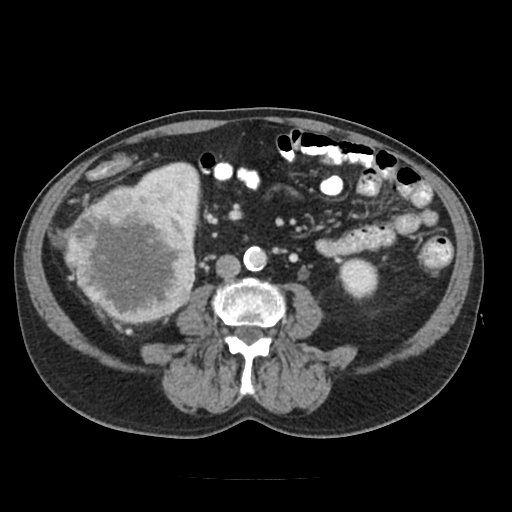
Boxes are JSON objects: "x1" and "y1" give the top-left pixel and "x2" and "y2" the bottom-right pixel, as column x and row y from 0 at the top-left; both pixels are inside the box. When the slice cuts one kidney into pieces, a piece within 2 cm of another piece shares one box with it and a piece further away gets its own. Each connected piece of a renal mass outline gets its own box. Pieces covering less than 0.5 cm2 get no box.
This is axial slice 51 of 91 (slice 1 is the lowest) of an abdominal CT with contrast; each pixel is 0.766 mm and the slice is 5.00 mm thick. Three boxes on this slice (two kidney boxes and one renal mass box), listed by box centre from the image's left to its right. (1) Box {"x1": 64, "y1": 186, "x2": 194, "y2": 321}: right renal mass (outlined area 12,993 px, about 76.2 cm2). (2) Box {"x1": 137, "y1": 163, "x2": 200, "y2": 254}: right kidney (outlined area 2,701 px, about 15.8 cm2). (3) Left kidney, box {"x1": 336, "y1": 257, "x2": 379, "y2": 301} (outlined area 1,392 px, about 8.2 cm2).
Scan settings: 120 kVp, FC18 reconstruction kernel.